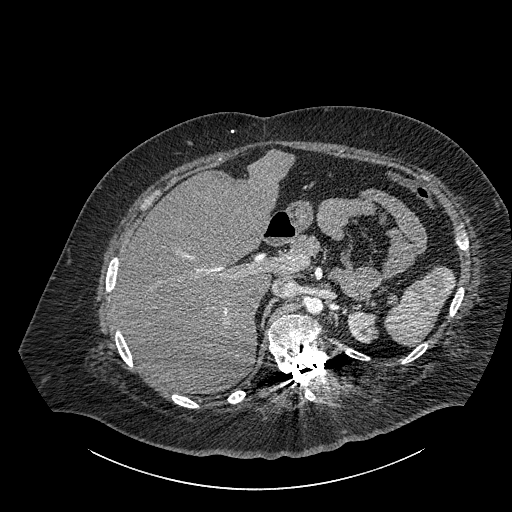
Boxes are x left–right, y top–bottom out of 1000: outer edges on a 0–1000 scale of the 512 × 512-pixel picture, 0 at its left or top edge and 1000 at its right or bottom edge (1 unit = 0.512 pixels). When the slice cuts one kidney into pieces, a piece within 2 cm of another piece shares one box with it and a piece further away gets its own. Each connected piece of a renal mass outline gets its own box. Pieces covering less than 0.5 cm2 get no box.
Contrast-enhanced abdominal CT, axial slice 636 of 834 (counted from the lowest slice); 1.00 mm thick, 0.977 mm per pixel. Left part of the midline-crossing kidney, box x 678–740, y 605–672 out of 1000 (outlined area 801 px, about 7.6 cm2). This slice carries no renal mass outline.
Tube voltage 140 kVp; convolution kernel I30f.